Abdominal CT with intravenous contrast, arterial phase, axial plane, 120 kVp, kernel I30f. Slice 282/735 from the bottom of the scan; thickness 1.00 mm; pixel size 0.789 mm.
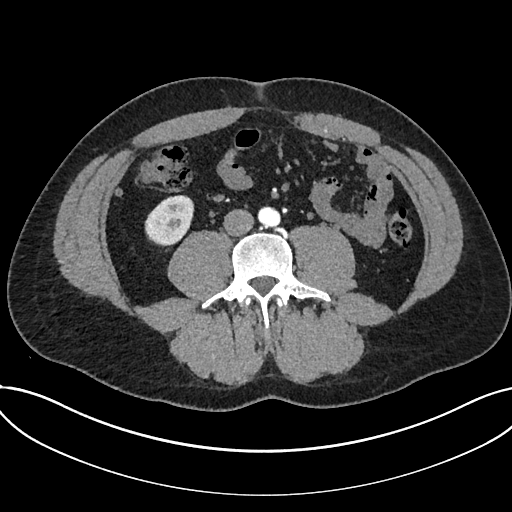
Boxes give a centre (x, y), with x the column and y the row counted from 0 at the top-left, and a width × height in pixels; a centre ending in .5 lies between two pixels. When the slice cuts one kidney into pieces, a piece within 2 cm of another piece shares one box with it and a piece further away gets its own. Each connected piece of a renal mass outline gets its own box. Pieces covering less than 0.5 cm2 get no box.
Kidney in a box with centre (169, 220.5), 51 × 52 pixels (outlined area 1,917 px, about 11.9 cm2). No renal mass is outlined on this slice.